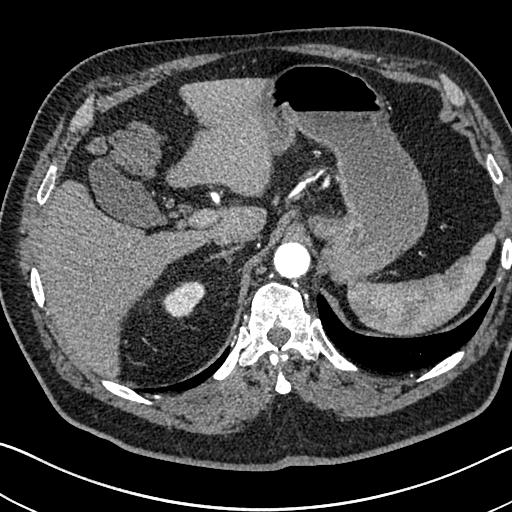
Axial slice 555 of 705 of a contrast-enhanced abdominal CT in the arterial phase (slice 1 is the lowest), 120 kVp, kernel I30f; 1.00 mm slice thickness and 0.703 mm pixels.
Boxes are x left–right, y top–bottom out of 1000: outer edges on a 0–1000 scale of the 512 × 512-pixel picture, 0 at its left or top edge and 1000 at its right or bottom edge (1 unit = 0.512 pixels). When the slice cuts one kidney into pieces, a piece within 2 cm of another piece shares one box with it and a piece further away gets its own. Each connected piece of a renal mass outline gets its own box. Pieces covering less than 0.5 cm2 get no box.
Box x 316–402, y 549–625 out of 1000: right kidney (outlined area 1,125 px, about 5.6 cm2). This slice carries no renal mass outline.